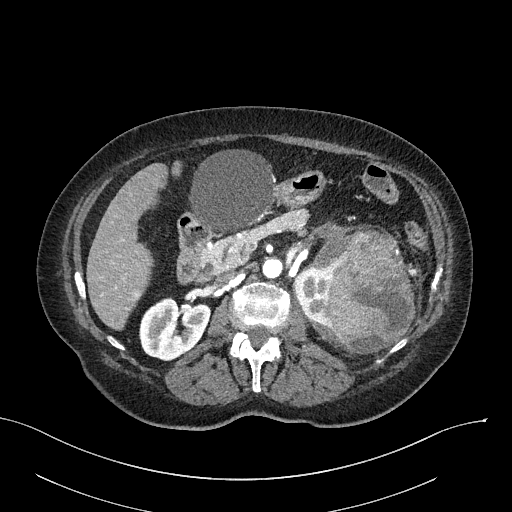
Arterial-phase contrast-enhanced abdominal CT, axial slice 148 of 316 (counted from the lowest slice); tube voltage 100 kVp, convolution kernel I40f; slices 2.00 mm thick, 0.840 mm per pixel.
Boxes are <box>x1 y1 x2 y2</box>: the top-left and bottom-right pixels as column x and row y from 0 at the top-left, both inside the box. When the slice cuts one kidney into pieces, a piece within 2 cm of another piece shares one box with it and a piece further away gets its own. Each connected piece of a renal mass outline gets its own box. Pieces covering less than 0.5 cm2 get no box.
Boxed on this slice (two kidney boxes and one renal mass box), listed by box centre from the image's left to its right: (1) Right kidney at <box>139 297 210 361</box> (outlined area 3,375 px, about 23.8 cm2). (2) Left kidney: <box>293 268 329 324</box> (outlined area 1,528 px, about 10.8 cm2). (3) Left renal mass at <box>304 226 414 354</box> (outlined area 9,965 px, about 70.3 cm2).